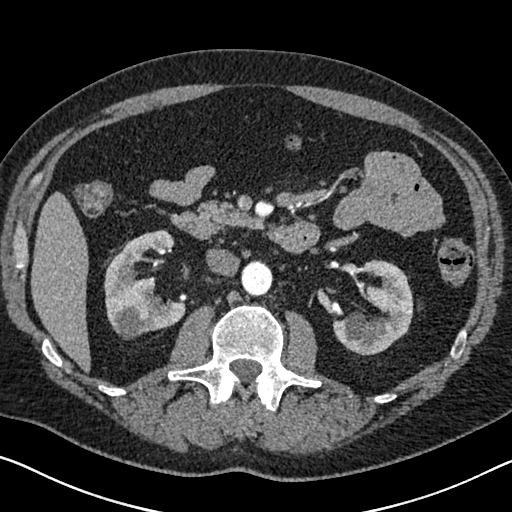
Axial slice 387 of 626 of a contrast-enhanced abdominal CT in the arterial phase (slice 1 is the lowest), 120 kVp, kernel I30f; 1.00 mm slice thickness and 0.703 mm pixels.
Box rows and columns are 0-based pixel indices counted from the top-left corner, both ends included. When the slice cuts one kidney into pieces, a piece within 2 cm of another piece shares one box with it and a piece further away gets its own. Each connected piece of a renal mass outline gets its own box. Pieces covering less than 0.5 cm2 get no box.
Boxed on this slice (two kidney boxes), listed by box centre from the image's left to its right: (1) Right kidney at rows 229–339, columns 104–185 (outlined area 5,550 px, about 27.4 cm2). (2) Left kidney at rows 259–355, columns 332–413 (outlined area 4,710 px, about 23.3 cm2). No renal mass is outlined on this slice.